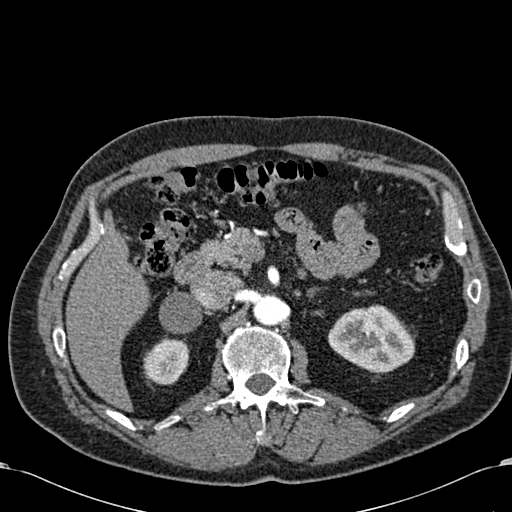
Axial slice 406 of 581 of a contrast-enhanced abdominal CT in the arterial phase (slice 1 is the lowest), 120 kVp, kernel B30f; 1.00 mm slice thickness and 0.713 mm pixels.
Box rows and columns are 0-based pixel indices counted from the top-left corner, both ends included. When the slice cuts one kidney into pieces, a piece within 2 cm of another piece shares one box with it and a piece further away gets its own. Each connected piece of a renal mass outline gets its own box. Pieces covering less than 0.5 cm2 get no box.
Boxed on this slice (two kidney boxes), listed by box centre from the image's left to its right: (1) Box rows 338–384, columns 143–189: right kidney (outlined area 1,700 px, about 8.6 cm2). (2) Left kidney, box rows 304–374, columns 327–414 (outlined area 4,337 px, about 22.0 cm2). This slice carries no renal mass outline.